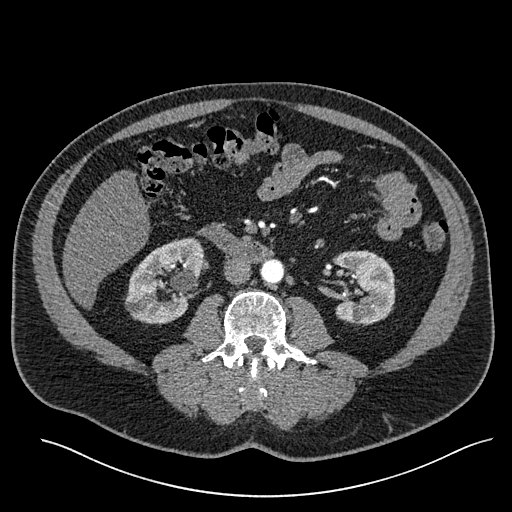
Arterial-phase contrast-enhanced abdominal CT, axial slice 278 of 527 (counted from the lowest slice); tube voltage 120 kVp, convolution kernel I30f; slices 1.00 mm thick, 0.859 mm per pixel.
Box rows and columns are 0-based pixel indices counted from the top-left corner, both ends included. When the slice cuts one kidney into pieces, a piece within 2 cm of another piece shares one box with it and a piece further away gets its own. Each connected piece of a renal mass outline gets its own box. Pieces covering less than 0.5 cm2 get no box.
Boxed on this slice (two kidney boxes), listed by box centre from the image's left to its right: (1) Right kidney at rows 237–324, columns 125–202 (outlined area 4,677 px, about 34.5 cm2). (2) Left kidney, box rows 250–325, columns 334–395 (outlined area 3,763 px, about 27.8 cm2). No renal mass is outlined on this slice.